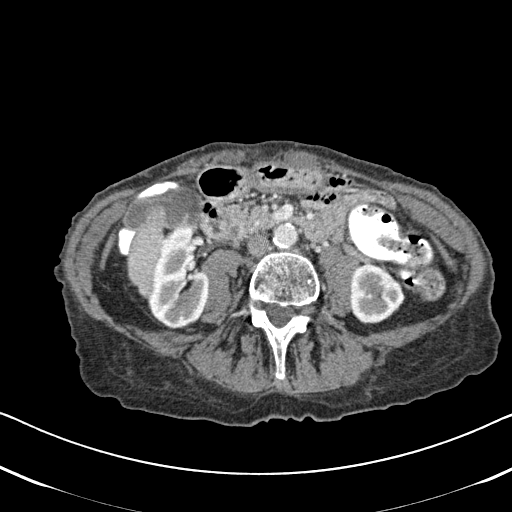
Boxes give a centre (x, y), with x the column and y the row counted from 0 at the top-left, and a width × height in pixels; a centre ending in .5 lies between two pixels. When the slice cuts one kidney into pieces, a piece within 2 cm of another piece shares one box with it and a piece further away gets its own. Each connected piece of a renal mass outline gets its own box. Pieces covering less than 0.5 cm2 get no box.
Slice 253/620 of a contrast-enhanced abdominal CT in the arterial phase, counting up from the lowest; pixel size 0.637 mm, slice thickness 2.00 mm. Boxed on this slice (two kidney boxes), listed by box centre from the image's left to its right: (1) Right kidney, box centre (178, 277.5), 63 × 104 pixels (outlined area 4,746 px, about 19.2 cm2). (2) Left kidney, box centre (377, 293.5), 57 × 62 pixels (outlined area 2,635 px, about 10.7 cm2). No renal mass outline on this slice.
Scan settings: 120 kVp, B31f reconstruction kernel.